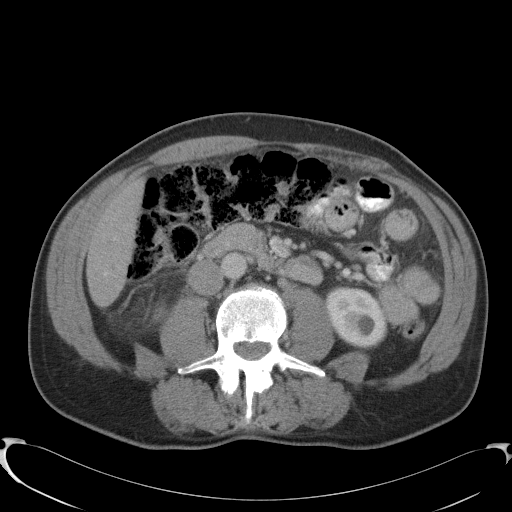
Axial slice 55 of 91 of a contrast-enhanced abdominal CT (slice 1 is the lowest), 120 kVp, kernel B41f; 5.00 mm slice thickness and 0.762 mm pixels.
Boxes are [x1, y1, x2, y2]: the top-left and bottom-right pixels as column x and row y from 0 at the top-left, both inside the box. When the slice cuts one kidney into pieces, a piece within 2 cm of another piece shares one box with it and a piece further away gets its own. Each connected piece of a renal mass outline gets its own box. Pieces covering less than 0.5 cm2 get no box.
Two boxes on this slice (two kidney boxes), listed by box centre from the image's left to its right. (1) Right kidney, box [153, 307, 163, 320] (outlined area 122 px, about 0.7 cm2). (2) Left kidney at [326, 287, 387, 347] (outlined area 2,882 px, about 16.7 cm2). This slice carries no renal mass outline.